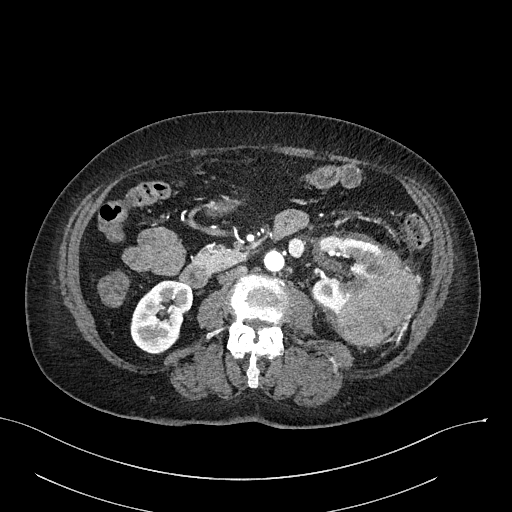
One axial slice (113 of 316, counting up from the lowest) of an arterial-phase abdominal CT acquired with 100 kVp, kernel I40f; each pixel is 0.840 mm and the slice is 2.00 mm thick.
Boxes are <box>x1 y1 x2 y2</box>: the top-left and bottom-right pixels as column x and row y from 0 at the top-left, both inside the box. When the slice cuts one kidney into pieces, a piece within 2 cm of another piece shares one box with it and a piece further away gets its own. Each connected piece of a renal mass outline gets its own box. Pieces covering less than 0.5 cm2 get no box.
Two kidney boxes and one renal mass box on this slice; by box centre, from the image's left to its right: (1) Right kidney: <box>130 280 192 353</box> (outlined area 3,323 px, about 23.4 cm2). (2) Left kidney: <box>311 235 381 314</box> (outlined area 3,411 px, about 24.1 cm2). (3) At <box>336 245 421 346</box>: left renal mass (outlined area 5,093 px, about 35.9 cm2).